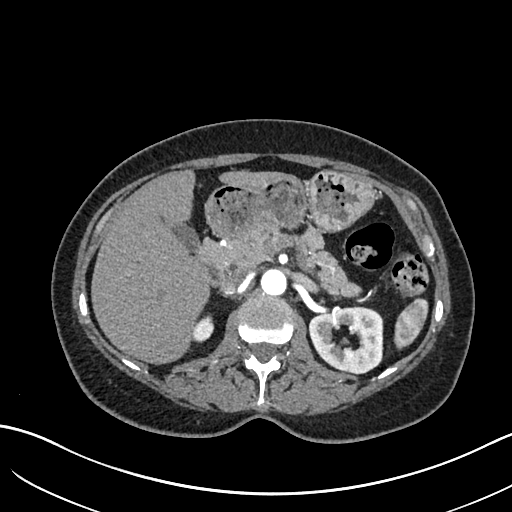
One axial slice (420 of 683, counting up from the lowest) of an arterial-phase abdominal CT acquired with 120 kVp, kernel I30f; each pixel is 0.738 mm and the slice is 1.00 mm thick.
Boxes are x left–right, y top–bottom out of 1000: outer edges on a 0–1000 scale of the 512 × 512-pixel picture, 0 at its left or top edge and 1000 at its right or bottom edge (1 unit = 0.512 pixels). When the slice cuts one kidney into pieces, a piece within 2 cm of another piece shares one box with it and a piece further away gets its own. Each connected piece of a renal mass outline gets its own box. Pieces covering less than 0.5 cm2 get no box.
Boxed on this slice (two kidney boxes), listed by box centre from the image's left to its right: (1) Right kidney, box x 377–420, y 613–670 out of 1000 (outlined area 446 px, about 2.4 cm2). (2) Left kidney, box x 602–750, y 598–732 out of 1000 (outlined area 3,833 px, about 20.9 cm2). This slice carries no renal mass outline.